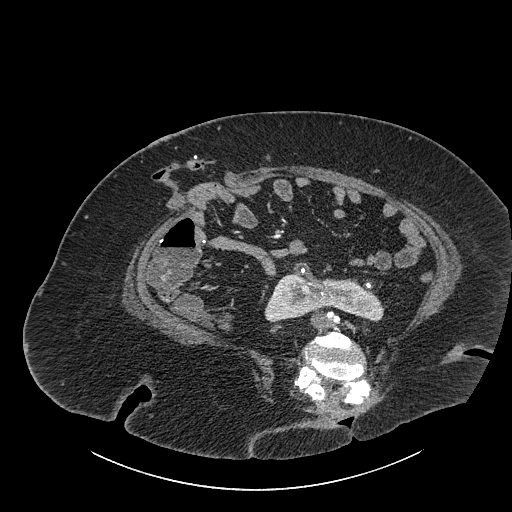
Abdominal CT with intravenous contrast, axial plane, 140 kVp, kernel I30f. Slice 432/834 from the bottom of the scan; thickness 1.00 mm; pixel size 0.977 mm.
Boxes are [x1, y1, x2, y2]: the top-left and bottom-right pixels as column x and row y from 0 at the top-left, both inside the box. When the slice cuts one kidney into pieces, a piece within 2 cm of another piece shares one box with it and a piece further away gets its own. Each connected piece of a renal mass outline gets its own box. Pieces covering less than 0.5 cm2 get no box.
Box [264, 262, 384, 322]: kidney crossing the body midline (outlined area 4,198 px, about 40.0 cm2). No renal mass is outlined on this slice.